Abdominal CT with intravenous contrast, axial plane, 120 kVp, kernel B41f. Slice 70/104 from the bottom of the scan; thickness 5.00 mm; pixel size 0.977 mm.
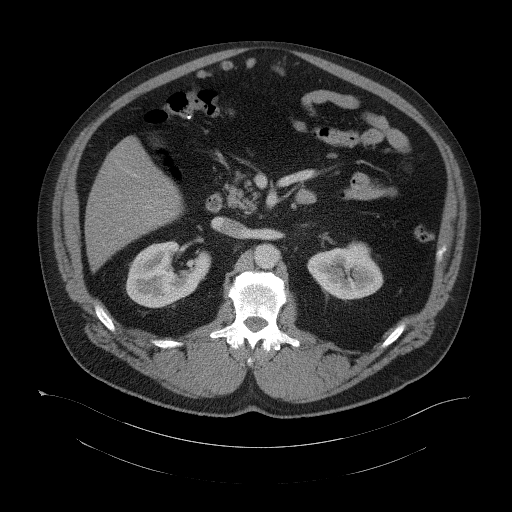
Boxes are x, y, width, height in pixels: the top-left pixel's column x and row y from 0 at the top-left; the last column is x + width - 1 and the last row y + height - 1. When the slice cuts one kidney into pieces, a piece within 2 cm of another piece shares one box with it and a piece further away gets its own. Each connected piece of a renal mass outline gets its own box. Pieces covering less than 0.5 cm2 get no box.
Two kidney boxes on this slice; by box centre, from the image's left to its right: (1) Right kidney, box x 125, y 240, width 87, height 68 (outlined area 3,936 px, about 37.5 cm2). (2) Left kidney at x 307, y 241, width 77, height 59 (outlined area 3,156 px, about 30.1 cm2). No renal mass is outlined on this slice.